One axial slice (414 of 581, counting up from the lowest) of an arterial-phase abdominal CT acquired with 120 kVp, kernel B30f; each pixel is 0.713 mm and the slice is 1.00 mm thick.
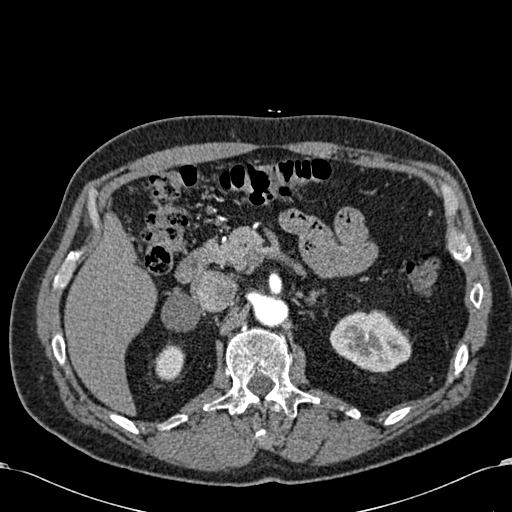
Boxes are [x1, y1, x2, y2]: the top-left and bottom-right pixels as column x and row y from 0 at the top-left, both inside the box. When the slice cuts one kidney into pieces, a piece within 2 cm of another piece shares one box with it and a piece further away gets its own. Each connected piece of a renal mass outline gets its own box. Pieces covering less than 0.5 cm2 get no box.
Boxed on this slice (two kidney boxes), listed by box centre from the image's left to its right: (1) Box [154, 344, 184, 380]: right kidney (outlined area 850 px, about 4.3 cm2). (2) Left kidney at [329, 309, 411, 372] (outlined area 3,742 px, about 19.0 cm2). No renal mass outline on this slice.